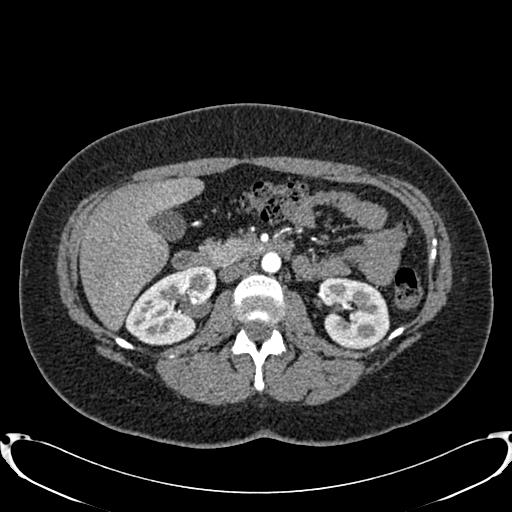
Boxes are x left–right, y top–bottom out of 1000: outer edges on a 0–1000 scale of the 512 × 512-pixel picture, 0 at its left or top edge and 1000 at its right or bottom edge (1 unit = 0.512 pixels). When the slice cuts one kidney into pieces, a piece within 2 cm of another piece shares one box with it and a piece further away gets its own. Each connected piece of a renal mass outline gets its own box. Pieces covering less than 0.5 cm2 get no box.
Slice 461/719 of a contrast-enhanced abdominal CT in the arterial phase, counting up from the lowest; pixel size 0.766 mm, slice thickness 1.00 mm. Two boxes on this slice (two kidney boxes), listed by box centre from the image's left to its right. (1) Right kidney, box x 244–424, y 520–676 out of 1000 (outlined area 4,892 px, about 28.7 cm2). (2) Left kidney, box x 619–762, y 541–684 out of 1000 (outlined area 3,967 px, about 23.3 cm2). No renal mass outline on this slice.
Tube voltage 120 kVp; convolution kernel B20f.